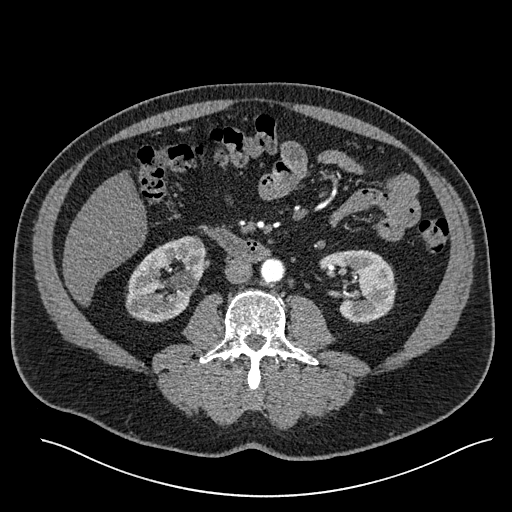
Abdominal CT with intravenous contrast, arterial phase, axial plane, 120 kVp, kernel I30f. Slice 271/527 from the bottom of the scan; thickness 1.00 mm; pixel size 0.859 mm.
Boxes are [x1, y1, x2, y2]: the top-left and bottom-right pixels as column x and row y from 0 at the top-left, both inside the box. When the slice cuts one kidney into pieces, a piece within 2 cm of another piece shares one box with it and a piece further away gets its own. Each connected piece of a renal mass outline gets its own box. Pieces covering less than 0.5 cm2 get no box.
Two boxes on this slice (two kidney boxes), listed by box centre from the image's left to its right. (1) Box [125, 235, 205, 322]: right kidney (outlined area 4,772 px, about 35.2 cm2). (2) Box [319, 249, 396, 324]: left kidney (outlined area 3,909 px, about 28.9 cm2). No renal mass outline on this slice.